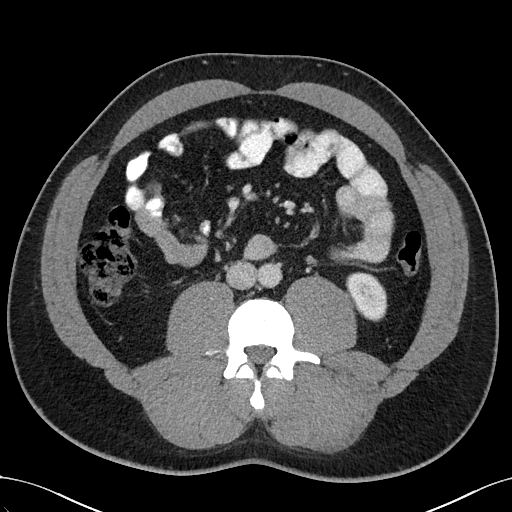
One axial slice (57 of 102, counting up from the lowest) of an arterial-phase abdominal CT acquired with 100 kVp, kernel I40f; each pixel is 0.781 mm and the slice is 5.00 mm thick.
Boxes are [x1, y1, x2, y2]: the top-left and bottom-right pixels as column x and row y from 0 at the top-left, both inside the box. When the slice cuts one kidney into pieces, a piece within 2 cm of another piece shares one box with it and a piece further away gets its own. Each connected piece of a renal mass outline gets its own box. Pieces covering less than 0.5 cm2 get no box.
Left kidney, box [345, 272, 387, 321] (outlined area 1,526 px, about 9.3 cm2). No renal mass outline on this slice.